Axial slice 47 of 96 of a contrast-enhanced abdominal CT in the arterial phase (slice 1 is the lowest), 130 kVp, kernel B30s; 3.00 mm slice thickness and 0.781 mm pixels.
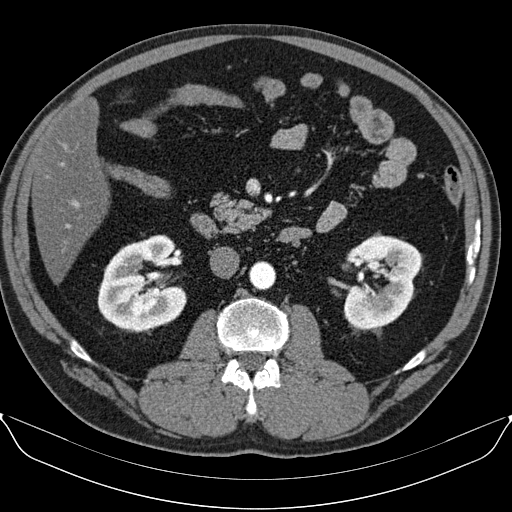
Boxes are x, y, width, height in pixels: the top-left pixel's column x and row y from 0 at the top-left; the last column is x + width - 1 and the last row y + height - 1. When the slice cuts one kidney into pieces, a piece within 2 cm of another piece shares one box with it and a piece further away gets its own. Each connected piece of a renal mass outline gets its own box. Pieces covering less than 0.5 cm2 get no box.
Two kidney boxes on this slice; by box centre, from the image's left to its right: (1) Right kidney, box x 97, y 234, width 91, height 101 (outlined area 6,334 px, about 38.7 cm2). (2) Left kidney, box x 343, y 235, width 79, height 95 (outlined area 5,251 px, about 32.0 cm2). No renal mass is outlined on this slice.